Axial slice 342 of 787 of a contrast-enhanced abdominal CT (slice 1 is the lowest), 140 kVp, kernel I30f; 1.00 mm slice thickness and 0.910 mm pixels.
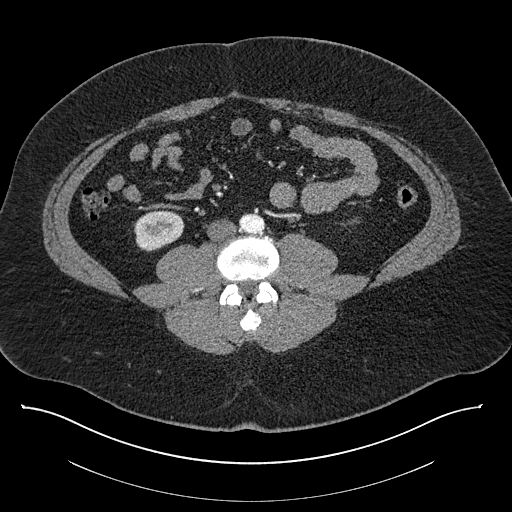
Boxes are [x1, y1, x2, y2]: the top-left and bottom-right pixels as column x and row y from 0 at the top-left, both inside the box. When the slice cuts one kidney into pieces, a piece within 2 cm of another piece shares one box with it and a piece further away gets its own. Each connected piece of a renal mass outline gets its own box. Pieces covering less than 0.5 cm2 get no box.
Box [133, 210, 184, 251]: right kidney (outlined area 1,620 px, about 13.4 cm2). This slice carries no renal mass outline.